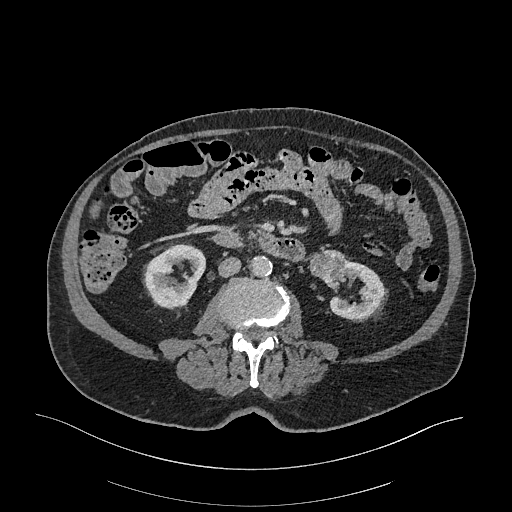
One axial slice (117 of 470, counting up from the lowest) of an arterial-phase abdominal CT acquired with 120 kVp, kernel I26f; each pixel is 0.938 mm and the slice is 1.00 mm thick.
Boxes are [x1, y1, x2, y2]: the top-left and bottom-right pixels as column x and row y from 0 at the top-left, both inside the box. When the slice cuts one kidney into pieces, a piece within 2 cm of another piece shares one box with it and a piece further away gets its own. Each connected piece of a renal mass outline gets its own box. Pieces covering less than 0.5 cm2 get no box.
Three boxes on this slice (two kidney boxes and one renal mass box), listed by box centre from the image's left to its right. (1) Box [142, 244, 205, 309]: right kidney (outlined area 2,897 px, about 25.5 cm2). (2) Left renal mass at [308, 249, 346, 281] (outlined area 949 px, about 8.3 cm2). (3) Box [323, 258, 384, 320]: left kidney (outlined area 2,134 px, about 18.8 cm2).